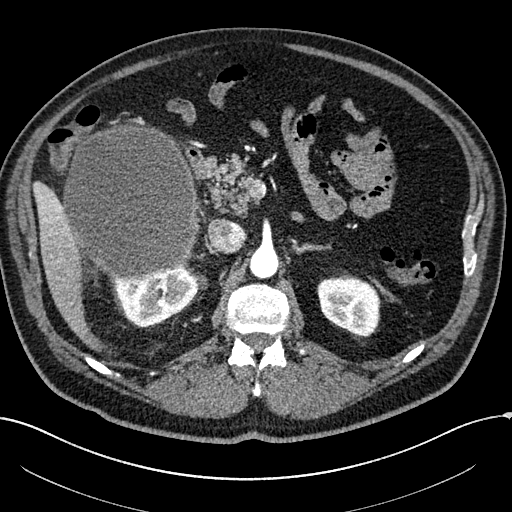
Abdominal CT with intravenous contrast, arterial phase, axial plane, 100 kVp, kernel I30f. Slice 148/304 from the bottom of the scan; thickness 2.00 mm; pixel size 0.809 mm.
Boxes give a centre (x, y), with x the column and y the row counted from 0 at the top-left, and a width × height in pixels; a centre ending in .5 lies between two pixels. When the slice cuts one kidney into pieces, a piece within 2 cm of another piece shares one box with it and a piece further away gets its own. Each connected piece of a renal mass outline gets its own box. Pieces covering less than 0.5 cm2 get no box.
Boxed on this slice (two kidney boxes and one renal mass box), listed by box centre from the image's left to its right: (1) Right renal mass in a box with centre (130, 201.5), 139 × 158 pixels (outlined area 17,101 px, about 111.8 cm2). (2) Right kidney in a box with centre (154.5, 296), 88 × 63 pixels (outlined area 3,382 px, about 22.1 cm2). (3) Left kidney in a box with centre (348, 306.5), 63 × 60 pixels (outlined area 2,873 px, about 18.8 cm2).